One axial slice (413 of 673, counting up from the lowest) of an arterial-phase abdominal CT acquired with 140 kVp, kernel I30f; each pixel is 0.957 mm and the slice is 1.00 mm thick.
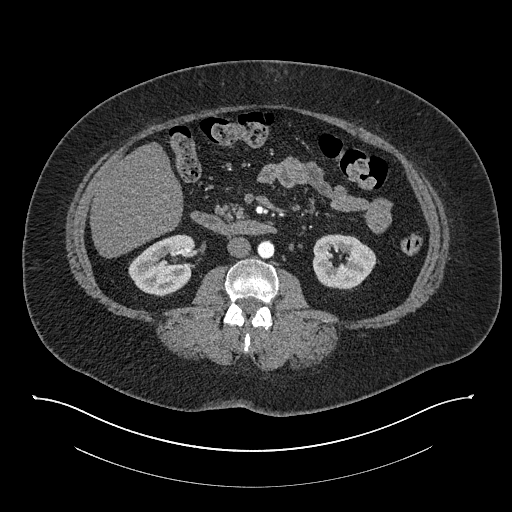
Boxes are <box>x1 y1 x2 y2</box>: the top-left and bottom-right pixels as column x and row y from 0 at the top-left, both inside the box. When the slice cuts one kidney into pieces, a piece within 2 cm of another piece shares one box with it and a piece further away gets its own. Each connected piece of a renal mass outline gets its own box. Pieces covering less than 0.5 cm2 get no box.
Boxed on this slice (two kidney boxes), listed by box centre from the image's left to its right: (1) Right kidney at <box>128 234 195 296</box> (outlined area 2,974 px, about 27.2 cm2). (2) At <box>312 234 376 289</box>: left kidney (outlined area 2,725 px, about 25.0 cm2). No renal mass outline on this slice.